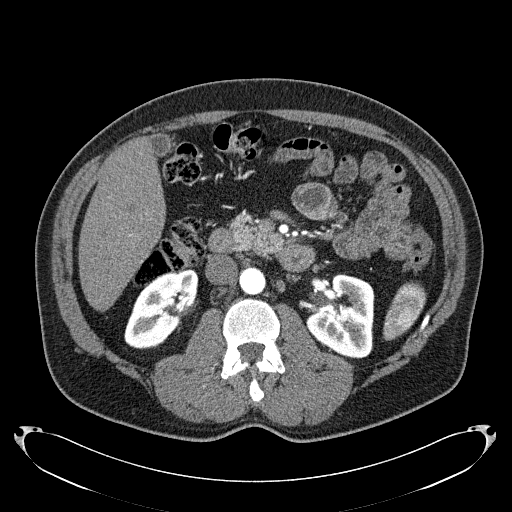
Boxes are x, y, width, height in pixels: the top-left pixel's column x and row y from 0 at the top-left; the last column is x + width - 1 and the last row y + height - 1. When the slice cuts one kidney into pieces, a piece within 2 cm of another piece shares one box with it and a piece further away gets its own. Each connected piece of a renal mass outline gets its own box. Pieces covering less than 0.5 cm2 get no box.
This is axial slice 113 of 279 (slice 1 is the lowest) of an arterial-phase abdominal CT with contrast; each pixel is 0.824 mm and the slice is 2.00 mm thick. Boxed on this slice (two kidney boxes), listed by box centre from the image's left to its right: (1) Right kidney, box x 124, y 269, width 75, height 81 (outlined area 3,939 px, about 26.8 cm2). (2) Left kidney, box x 305, y 274, width 70, height 85 (outlined area 4,371 px, about 29.7 cm2). No renal mass is outlined on this slice.
Tube voltage 120 kVp; convolution kernel B31f.